Abdominal CT with intravenous contrast, axial plane, 120 kVp, kernel B31f. Slice 326/734 from the bottom of the scan; thickness 2.00 mm; pixel size 0.971 mm.
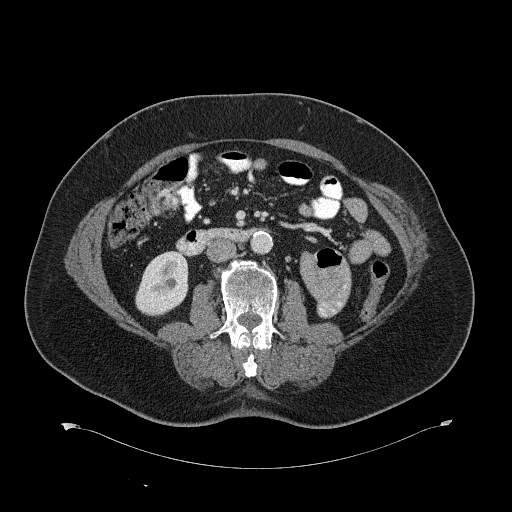
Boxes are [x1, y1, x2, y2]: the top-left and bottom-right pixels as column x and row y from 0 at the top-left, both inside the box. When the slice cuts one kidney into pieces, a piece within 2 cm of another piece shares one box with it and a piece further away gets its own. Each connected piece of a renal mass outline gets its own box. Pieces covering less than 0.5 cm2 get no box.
Right kidney, box [135, 251, 188, 316] (outlined area 2,657 px, about 25.0 cm2). No renal mass outline on this slice.